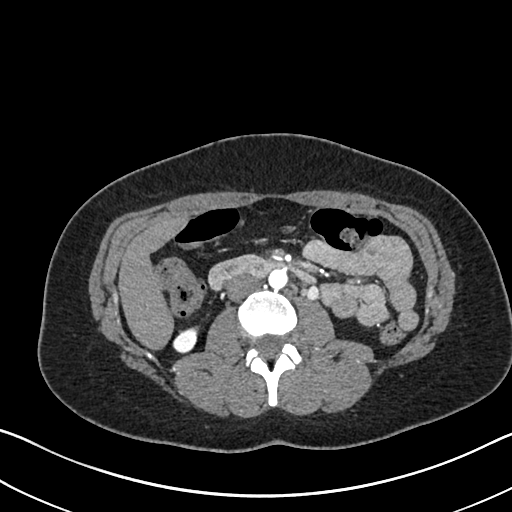
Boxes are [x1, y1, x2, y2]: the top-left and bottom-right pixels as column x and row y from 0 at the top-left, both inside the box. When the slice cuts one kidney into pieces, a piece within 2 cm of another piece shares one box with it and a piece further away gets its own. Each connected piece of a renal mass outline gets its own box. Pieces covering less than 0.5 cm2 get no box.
Arterial-phase contrast-enhanced abdominal CT, axial slice 360 of 612 (counted from the lowest slice); 1.00 mm thick, 0.703 mm per pixel. Right kidney at [172, 326, 198, 352] (outlined area 500 px, about 2.5 cm2). This slice carries no renal mass outline.
Acquired at 120 kVp and reconstructed with the I30f kernel.